Arterial-phase contrast-enhanced abdominal CT, axial slice 59 of 103 (counted from the lowest slice); tube voltage 120 kVp, convolution kernel B41f; slices 5.00 mm thick, 0.951 mm per pixel.
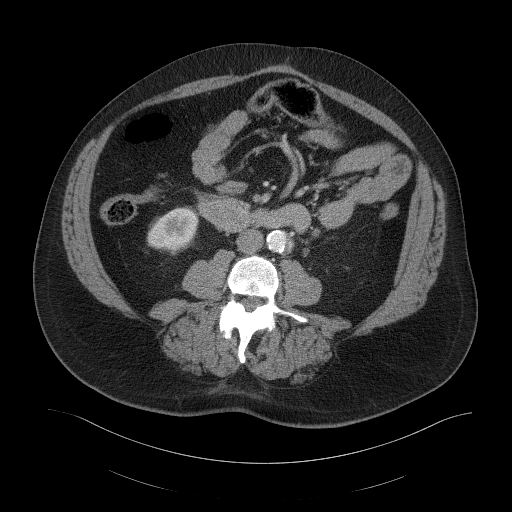
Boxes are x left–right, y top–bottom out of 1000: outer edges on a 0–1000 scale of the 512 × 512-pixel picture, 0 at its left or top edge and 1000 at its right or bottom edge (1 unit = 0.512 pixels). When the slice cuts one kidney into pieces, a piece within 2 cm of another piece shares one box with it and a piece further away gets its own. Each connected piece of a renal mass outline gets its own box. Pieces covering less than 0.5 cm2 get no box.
Box x 285–389, y 404–494 out of 1000: right kidney (outlined area 1,823 px, about 16.5 cm2). This slice carries no renal mass outline.